Arterial-phase contrast-enhanced abdominal CT, axial slice 354 of 634 (counted from the lowest slice); tube voltage 120 kVp, convolution kernel B20f; slices 1.00 mm thick, 0.838 mm per pixel.
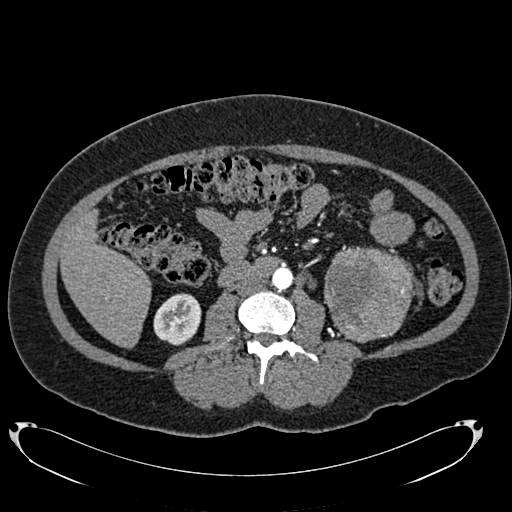
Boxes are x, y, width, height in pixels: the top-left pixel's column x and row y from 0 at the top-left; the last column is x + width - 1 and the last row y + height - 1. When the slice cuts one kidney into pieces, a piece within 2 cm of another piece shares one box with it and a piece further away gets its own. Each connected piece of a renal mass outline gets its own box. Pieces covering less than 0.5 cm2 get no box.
One kidney box and one renal mass box on this slice; by box centre, from the image's left to its right: (1) Box x 153, y 293, width 49, height 53: right kidney (outlined area 1,931 px, about 13.6 cm2). (2) Box x 324, y 247, width 91, height 96: left renal mass (outlined area 6,848 px, about 48.1 cm2); on this slice it lies more than 1 cm from any kidney outline, but the same outlined renal mass comes within 1 cm of the kidney on another slice.